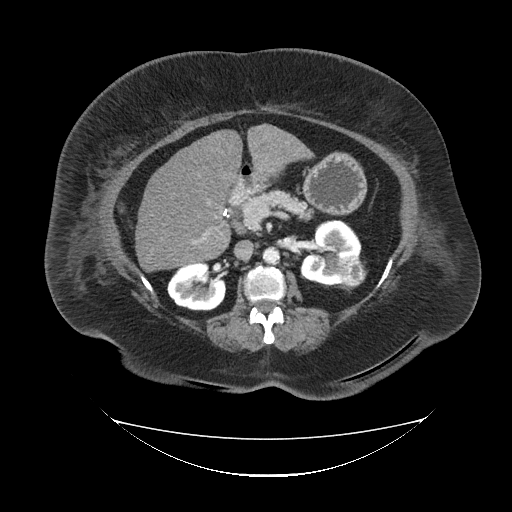
Axial slice 60 of 85 of a contrast-enhanced abdominal CT in the arterial phase (slice 1 is the lowest), 120 kVp, kernel FC19; 5.00 mm slice thickness and 1.041 mm pixels.
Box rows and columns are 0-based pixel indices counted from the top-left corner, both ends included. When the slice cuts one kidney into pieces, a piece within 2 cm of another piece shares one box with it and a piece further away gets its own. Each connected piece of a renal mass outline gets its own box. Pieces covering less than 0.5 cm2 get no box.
Two kidney boxes and one renal mass box on this slice; by box centre, from the image's left to its right: (1) Right kidney at rows 263–310, columns 167–226 (outlined area 2,197 px, about 23.8 cm2). (2) Left kidney at rows 219–284, columns 300–361 (outlined area 2,755 px, about 29.9 cm2). (3) Left renal mass, box rows 256–288, columns 342–367 (outlined area 604 px, about 6.5 cm2).